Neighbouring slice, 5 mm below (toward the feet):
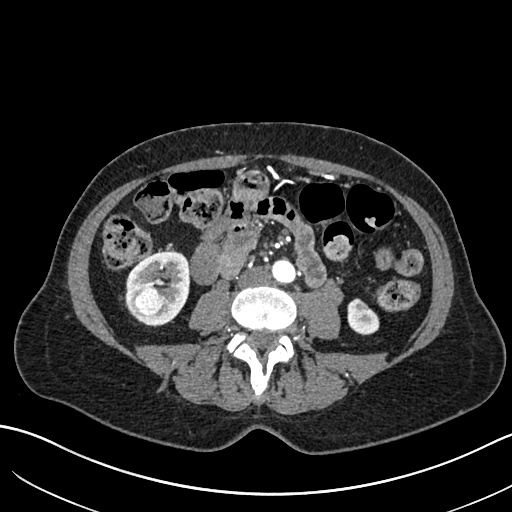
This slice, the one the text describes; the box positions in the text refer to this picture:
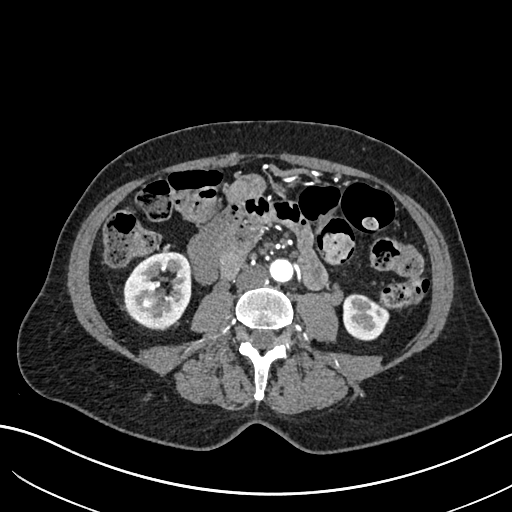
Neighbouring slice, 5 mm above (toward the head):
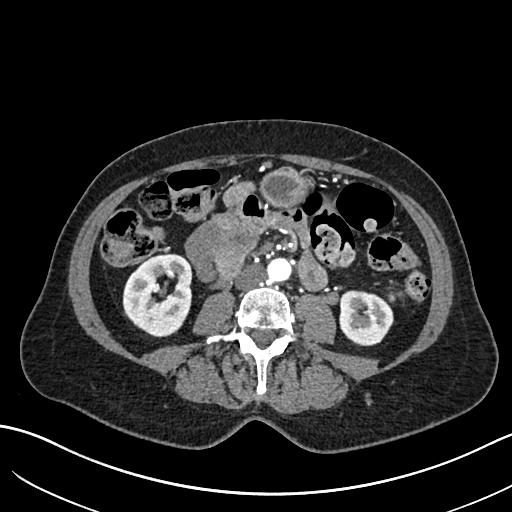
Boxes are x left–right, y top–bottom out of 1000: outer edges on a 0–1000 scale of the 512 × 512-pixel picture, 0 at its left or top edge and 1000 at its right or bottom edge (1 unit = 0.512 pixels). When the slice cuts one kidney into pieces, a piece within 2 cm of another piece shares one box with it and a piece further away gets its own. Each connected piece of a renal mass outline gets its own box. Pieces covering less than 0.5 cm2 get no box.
Slice 297/683 of a contrast-enhanced abdominal CT in the arterial phase, counting up from the lowest; pixel size 0.738 mm, slice thickness 1.00 mm. Boxed on this slice (two kidney boxes and one renal mass box), listed by box centre from the image's left to its right: (1) Box x 277–318, y 566–604 out of 1000: right renal mass (outlined area 299 px, about 1.6 cm2). (2) Right kidney, box x 240–375, y 490–645 out of 1000 (outlined area 3,847 px, about 21.0 cm2). (3) Left kidney at x 670–762, y 572–666 out of 1000 (outlined area 1,679 px, about 9.2 cm2). This slice lies near the end of the right renal mass toward the head; the slices 5 mm below and 5 mm above it are shown too, and the boxes mark positions on this slice only.
Scan settings: 120 kVp, I30f reconstruction kernel.